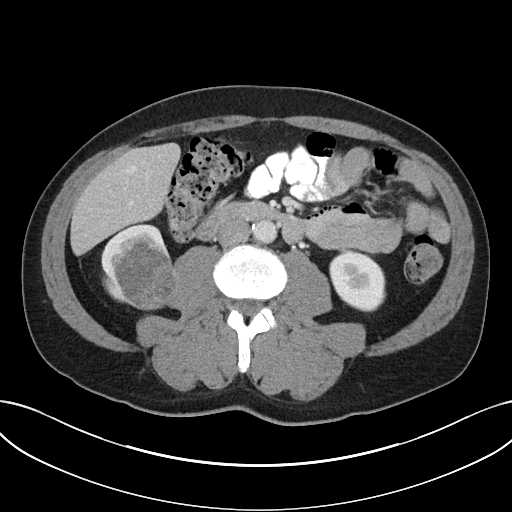
One axial slice (8 of 32, counting up from the lowest) of an arterial-phase abdominal CT acquired with 100 kVp, kernel I40f; each pixel is 0.779 mm and the slice is 5.00 mm thick.
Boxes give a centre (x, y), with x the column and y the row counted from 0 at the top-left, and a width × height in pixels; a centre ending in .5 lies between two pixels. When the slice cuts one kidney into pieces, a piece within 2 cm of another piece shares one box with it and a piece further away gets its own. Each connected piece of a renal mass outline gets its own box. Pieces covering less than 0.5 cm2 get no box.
Three boxes on this slice (two kidney boxes and one renal mass box), listed by box centre from the image's left to its right. (1) Right kidney in a box with centre (135.5, 263.5), 70 × 80 pixels (outlined area 1,549 px, about 9.4 cm2). (2) Right renal mass in a box with centre (145.5, 274), 68 × 73 pixels (outlined area 3,632 px, about 22.1 cm2). (3) Left kidney in a box with centre (357.5, 281), 58 × 63 pixels (outlined area 2,714 px, about 16.5 cm2).